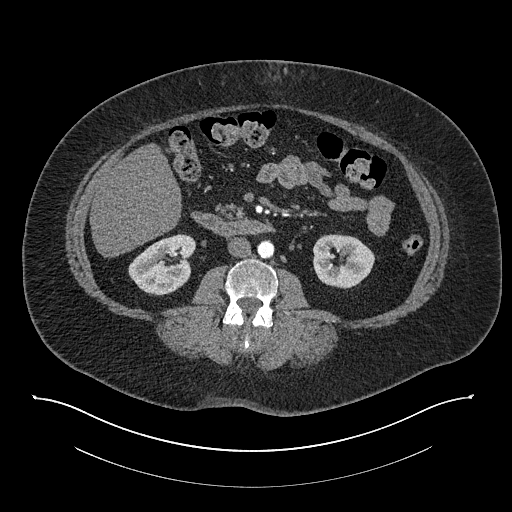
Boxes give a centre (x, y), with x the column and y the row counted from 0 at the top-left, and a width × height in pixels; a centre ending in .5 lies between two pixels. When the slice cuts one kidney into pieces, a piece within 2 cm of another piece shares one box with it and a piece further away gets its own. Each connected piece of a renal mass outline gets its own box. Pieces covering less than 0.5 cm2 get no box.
Slice 409/673 of a contrast-enhanced abdominal CT in the arterial phase, counting up from the lowest; pixel size 0.957 mm, slice thickness 1.00 mm. Two kidney boxes on this slice; by box centre, from the image's left to its right: (1) Right kidney, box centre (162, 264.5), 69 × 62 pixels (outlined area 2,956 px, about 27.1 cm2). (2) Left kidney in a box with centre (343, 261), 63 × 55 pixels (outlined area 2,631 px, about 24.1 cm2). No renal mass outline on this slice.
Scan settings: 140 kVp, I30f reconstruction kernel.